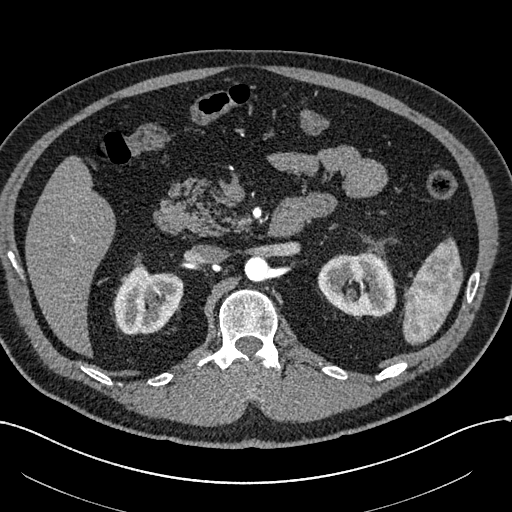
Axial slice 382 of 602 of a contrast-enhanced abdominal CT in the arterial phase (slice 1 is the lowest), 120 kVp, kernel I30f; 1.00 mm slice thickness and 0.799 mm pixels.
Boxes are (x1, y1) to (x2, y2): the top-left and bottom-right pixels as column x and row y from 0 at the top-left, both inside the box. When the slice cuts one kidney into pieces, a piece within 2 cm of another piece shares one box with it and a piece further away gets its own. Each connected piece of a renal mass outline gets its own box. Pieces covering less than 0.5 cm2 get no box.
Two kidney boxes on this slice; by box centre, from the image's left to its right: (1) Right kidney, box (113, 263) to (183, 334) (outlined area 3,680 px, about 23.5 cm2). (2) Left kidney, box (317, 251) to (396, 316) (outlined area 3,989 px, about 25.5 cm2). This slice carries no renal mass outline.